Abdominal CT with intravenous contrast, axial plane, 140 kVp, kernel B30f. Slice 35/75 from the bottom of the scan; thickness 3.00 mm; pixel size 0.875 mm.
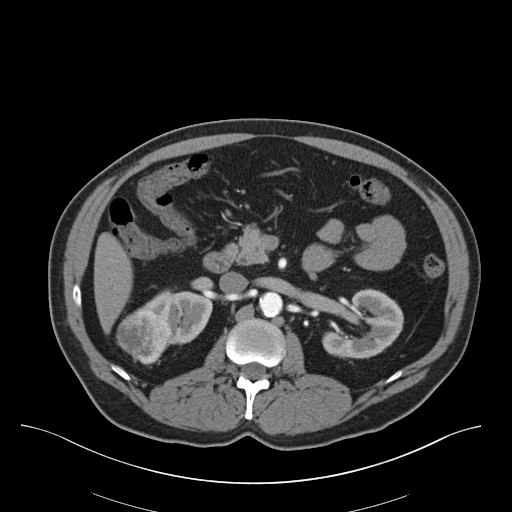
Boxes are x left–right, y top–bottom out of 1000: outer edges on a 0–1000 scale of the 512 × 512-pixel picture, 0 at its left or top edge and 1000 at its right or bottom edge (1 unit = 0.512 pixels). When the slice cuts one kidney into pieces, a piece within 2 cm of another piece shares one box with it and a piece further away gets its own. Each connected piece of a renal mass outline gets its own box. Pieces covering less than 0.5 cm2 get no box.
Boxed on this slice (two kidney boxes and one renal mass box), listed by box centre from the image's left to its right: (1) Right renal mass at x 227–336, y 604–715 out of 1000 (outlined area 2,220 px, about 17.0 cm2). (2) Box x 271–416, y 564–674 out of 1000: right kidney (outlined area 2,370 px, about 18.1 cm2). (3) Left kidney, box x 629–789, y 563–701 out of 1000 (outlined area 3,708 px, about 28.4 cm2).